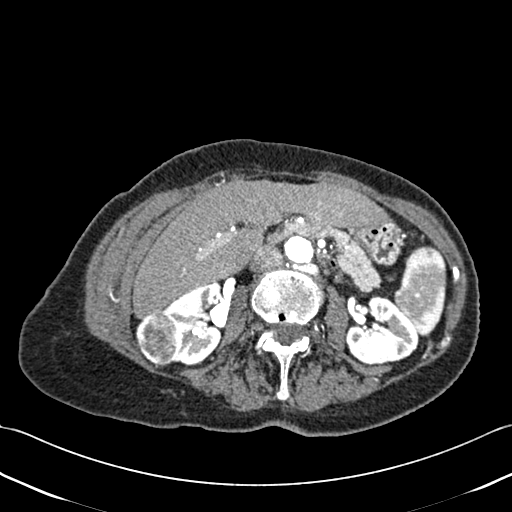
Axial slice 241 of 433 of a contrast-enhanced abdominal CT (slice 1 is the lowest), 120 kVp, kernel B30f; 1.00 mm slice thickness and 0.672 mm pixels.
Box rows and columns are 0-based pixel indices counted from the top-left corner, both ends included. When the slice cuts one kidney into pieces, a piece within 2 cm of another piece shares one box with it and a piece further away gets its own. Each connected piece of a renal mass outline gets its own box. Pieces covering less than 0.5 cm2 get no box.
Boxed on this slice (two kidney boxes and one renal mass box), listed by box centre from the image's left to its right: (1) Right renal mass, box rows 311–367, columns 135–179 (outlined area 1,948 px, about 8.8 cm2). (2) Box rows 282–365, columns 162–223: right kidney (outlined area 3,367 px, about 15.2 cm2). (3) Left kidney, box rows 295–365, columns 345–419 (outlined area 3,669 px, about 16.6 cm2).